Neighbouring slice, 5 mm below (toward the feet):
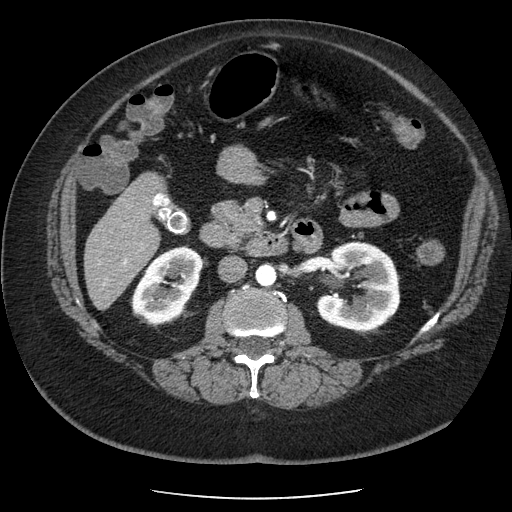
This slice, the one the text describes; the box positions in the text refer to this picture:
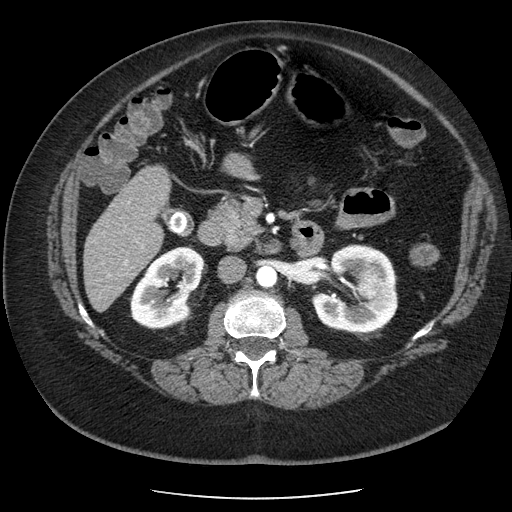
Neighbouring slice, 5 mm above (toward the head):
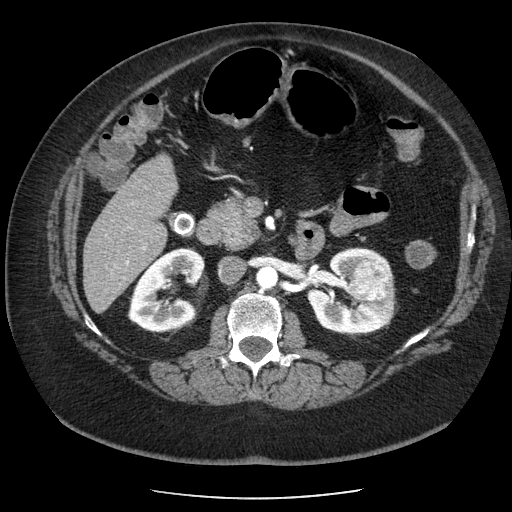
Abdominal CT with intravenous contrast, arterial phase, axial plane, 120 kVp, kernel STANDARD. Slice 122/186 from the bottom of the scan; thickness 2.50 mm; pixel size 0.742 mm.
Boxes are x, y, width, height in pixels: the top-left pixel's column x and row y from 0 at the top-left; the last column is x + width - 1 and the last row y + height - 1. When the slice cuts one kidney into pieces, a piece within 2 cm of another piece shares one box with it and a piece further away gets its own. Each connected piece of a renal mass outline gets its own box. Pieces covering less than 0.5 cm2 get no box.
Two kidney boxes and one renal mass box on this slice; by box centre, from the image's left to its right: (1) Right kidney, box x 130, y 246, width 74, height 83 (outlined area 4,132 px, about 22.8 cm2). (2) Left kidney at x 310, y 244, width 88, height 90 (outlined area 5,564 px, about 30.6 cm2). (3) Box x 362, y 271, width 18, height 19: left renal mass (outlined area 287 px, about 1.6 cm2). This slice lies near the end of the left renal mass toward the feet; the slices 5 mm below and 5 mm above it are shown too, and the boxes mark positions on this slice only.